One axial slice (430 of 512, counting up from the lowest) of an arterial-phase abdominal CT acquired with 120 kVp, kernel B30f; each pixel is 0.771 mm and the slice is 1.00 mm thick.
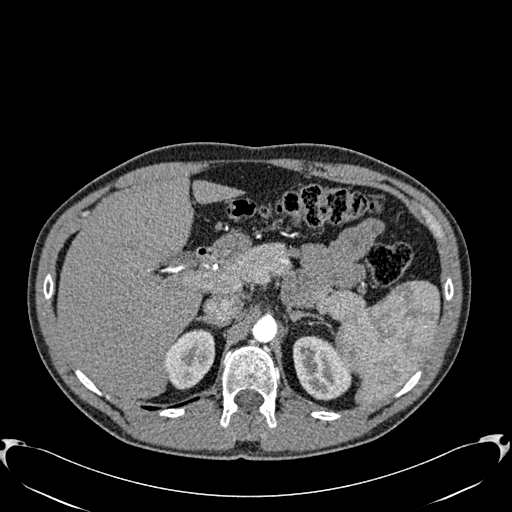
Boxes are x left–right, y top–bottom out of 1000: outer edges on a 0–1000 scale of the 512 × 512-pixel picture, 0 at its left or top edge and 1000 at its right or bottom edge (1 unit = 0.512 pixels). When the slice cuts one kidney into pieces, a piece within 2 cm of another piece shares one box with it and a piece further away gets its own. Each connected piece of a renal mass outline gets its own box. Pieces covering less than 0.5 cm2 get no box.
Three boxes on this slice (two kidney boxes and one renal mass box), listed by box centre from the image's left to its right. (1) Right kidney, box x 320–420, y 643–762 out of 1000 (outlined area 1,963 px, about 11.7 cm2). (2) Right renal mass, box x 383–422, y 680–725 out of 1000 (outlined area 320 px, about 1.9 cm2). (3) Left kidney at x 572–688, y 654–783 out of 1000 (outlined area 2,812 px, about 16.7 cm2).